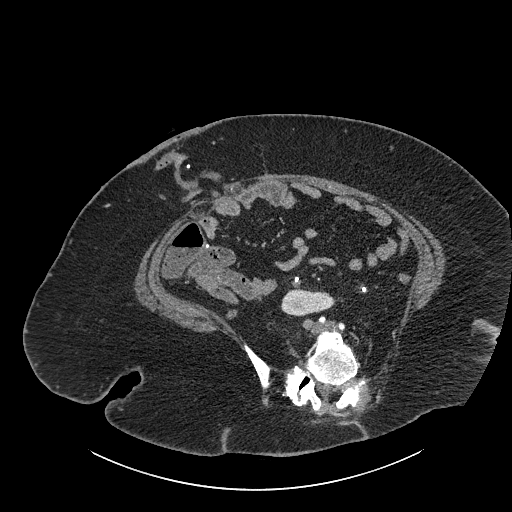
Abdominal CT with intravenous contrast, axial plane, 140 kVp, kernel I30f. Slice 392/834 from the bottom of the scan; thickness 1.00 mm; pixel size 0.977 mm.
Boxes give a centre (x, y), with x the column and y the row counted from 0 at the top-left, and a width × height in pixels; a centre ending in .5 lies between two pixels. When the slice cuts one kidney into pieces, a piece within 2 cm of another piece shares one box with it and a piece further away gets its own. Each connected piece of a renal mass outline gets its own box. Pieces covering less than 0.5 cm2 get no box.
Right part of the midline-crossing kidney in a box with centre (307.5, 301.5), 56 × 30 pixels (outlined area 1,164 px, about 11.1 cm2). No renal mass is outlined on this slice.